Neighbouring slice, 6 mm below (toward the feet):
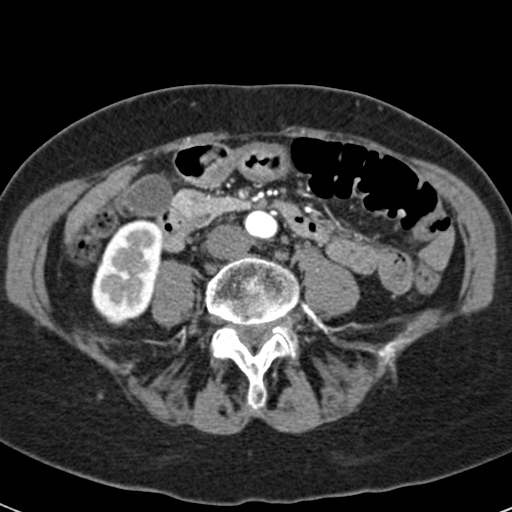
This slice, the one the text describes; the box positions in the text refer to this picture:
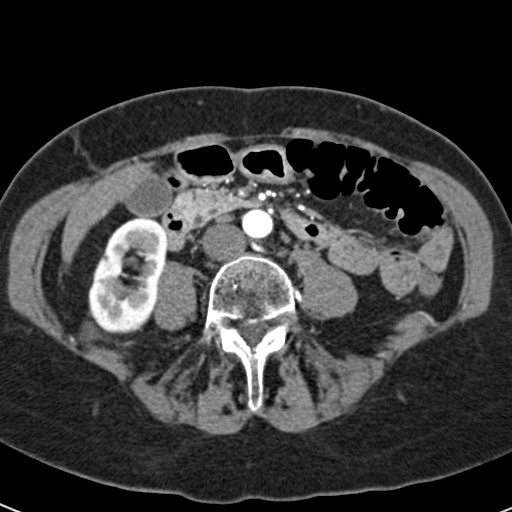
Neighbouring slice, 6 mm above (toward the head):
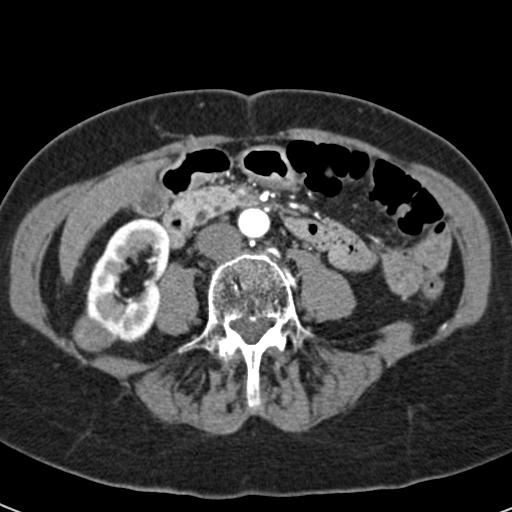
Arterial-phase contrast-enhanced abdominal CT, axial slice 13 of 53 (counted from the lowest slice); tube voltage 120 kVp, convolution kernel B30f; slices 3.00 mm thick, 0.547 mm per pixel.
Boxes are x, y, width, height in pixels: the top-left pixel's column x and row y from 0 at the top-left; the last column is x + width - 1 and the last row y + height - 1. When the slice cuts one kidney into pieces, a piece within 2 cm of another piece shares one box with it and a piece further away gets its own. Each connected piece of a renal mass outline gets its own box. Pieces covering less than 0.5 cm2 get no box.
Two boxes on this slice (one kidney box and one renal mass box), listed by box centre from the image's left to its right. (1) Right renal mass at x 79, y 321, width 21, height 27 (outlined area 320 px, about 1.0 cm2). (2) Box x 88, y 217, width 80, height 117: right kidney (outlined area 6,616 px, about 19.8 cm2). This slice is near the end of the right renal mass toward the feet, so the slices 6 mm below and 6 mm above it are shown as well; the boxes refer to this slice only.